Contrast-enhanced abdominal CT, axial slice 71 of 101 (counted from the lowest slice); tube voltage 100 kVp, convolution kernel I40f; slices 5.00 mm thick, 0.879 mm per pixel.
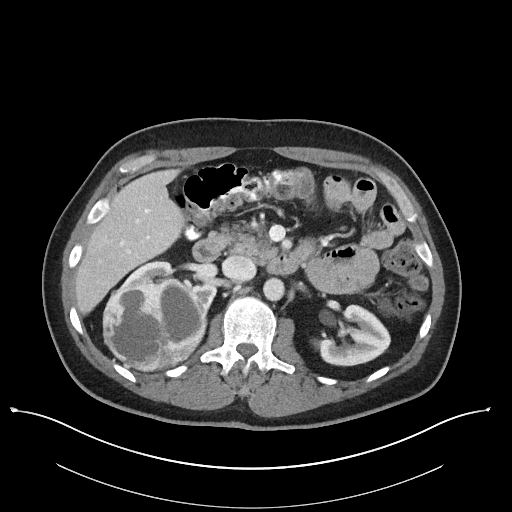
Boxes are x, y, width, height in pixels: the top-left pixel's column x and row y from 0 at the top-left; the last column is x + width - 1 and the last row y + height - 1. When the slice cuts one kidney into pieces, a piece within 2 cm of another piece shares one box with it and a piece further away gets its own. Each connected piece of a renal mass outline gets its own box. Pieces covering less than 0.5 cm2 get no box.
Three boxes on this slice (two kidney boxes and one renal mass box), listed by box centre from the image's left to its right. (1) Right renal mass at x 102, y 279, width 106, height 94 (outlined area 7,639 px, about 59.0 cm2). (2) Right kidney at x 120, y 261, width 98, height 57 (outlined area 1,700 px, about 13.1 cm2). (3) Left kidney at x 318, y 304, width 73, height 63 (outlined area 2,970 px, about 22.9 cm2).